Axial slice 101 of 389 of a contrast-enhanced abdominal CT in the arterial phase (slice 1 is the lowest), 120 kVp, kernel STANDARD; 1.25 mm slice thickness and 0.869 mm pixels.
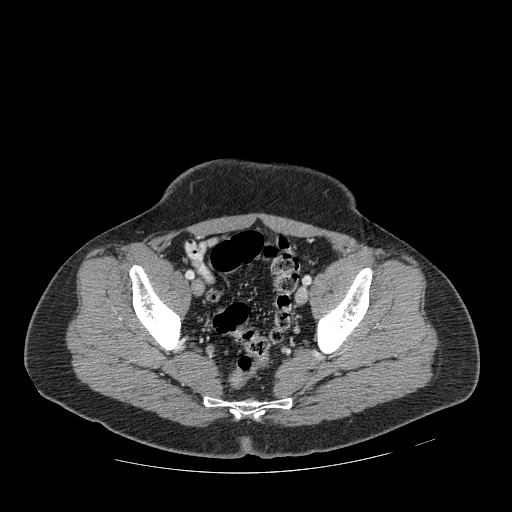
Neither a kidney nor a renal mass is outlined here. Only kidneys and renal masses are outlined anywhere in this scan; other structures are never outlined.